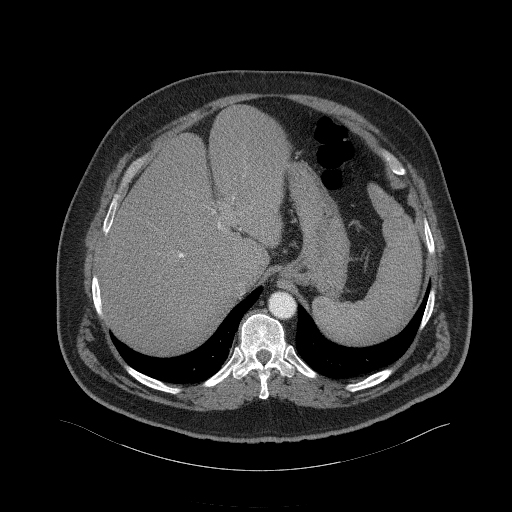
Contrast-enhanced abdominal CT, axial slice 65 of 94 (counted from the lowest slice); tube voltage 120 kVp, convolution kernel B41f; slices 3.00 mm thick, 0.977 mm per pixel.
Neither a kidney nor a renal mass is outlined here. Only kidneys and renal masses are outlined anywhere in this scan; other structures are never outlined.